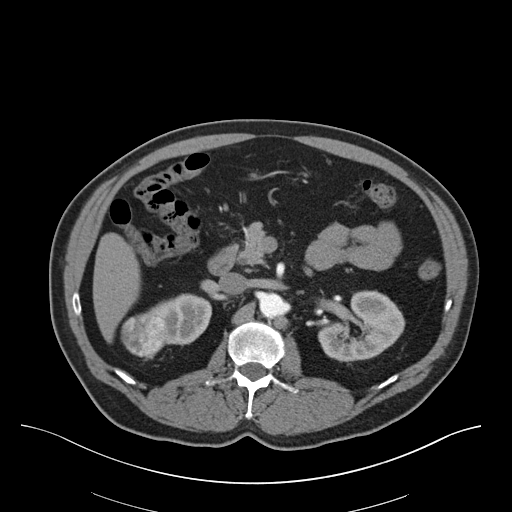
One axial slice (37 of 75, counting up from the lowest) of a contrast-enhanced abdominal CT acquired with 140 kVp, kernel B30f; each pixel is 0.875 mm and the slice is 3.00 mm thick.
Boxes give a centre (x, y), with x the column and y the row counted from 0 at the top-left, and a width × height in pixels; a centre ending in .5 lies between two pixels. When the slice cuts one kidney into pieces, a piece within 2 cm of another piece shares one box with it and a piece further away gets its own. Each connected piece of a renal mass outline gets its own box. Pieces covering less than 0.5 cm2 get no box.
Two kidney boxes and one renal mass box on this slice; by box centre, from the image's left to its right: (1) Right renal mass, box centre (144.5, 336), 48 × 49 pixels (outlined area 1,694 px, about 13.0 cm2). (2) Box centre (178.5, 319), 66 × 53 pixels: right kidney (outlined area 2,139 px, about 16.4 cm2). (3) Box centre (361.5, 326), 88 × 73 pixels: left kidney (outlined area 4,246 px, about 32.5 cm2).